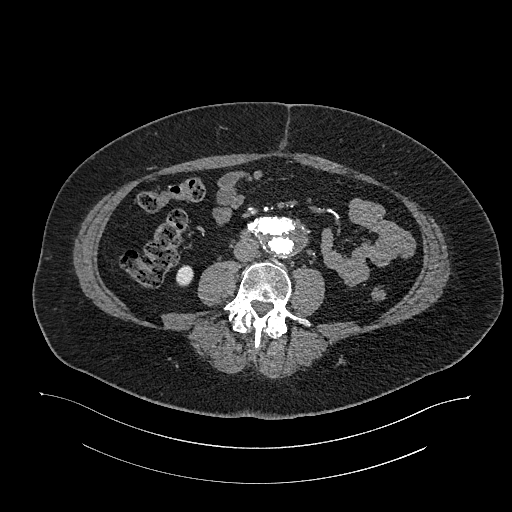
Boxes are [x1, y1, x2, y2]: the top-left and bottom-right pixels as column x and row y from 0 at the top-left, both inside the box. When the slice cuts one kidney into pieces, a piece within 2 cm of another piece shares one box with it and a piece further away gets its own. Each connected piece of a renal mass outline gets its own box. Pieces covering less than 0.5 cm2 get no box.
Slice 528/987 of a contrast-enhanced abdominal CT in the arterial phase, counting up from the lowest; pixel size 0.977 mm, slice thickness 1.00 mm. Right kidney at [176, 265, 193, 286] (outlined area 306 px, about 2.9 cm2). No renal mass outline on this slice.
Tube voltage 120 kVp; convolution kernel I26f.